Abdominal CT with intravenous contrast, axial plane, 140 kVp, kernel I30f. Slice 352/787 from the bottom of the scan; thickness 1.00 mm; pixel size 0.910 mm.
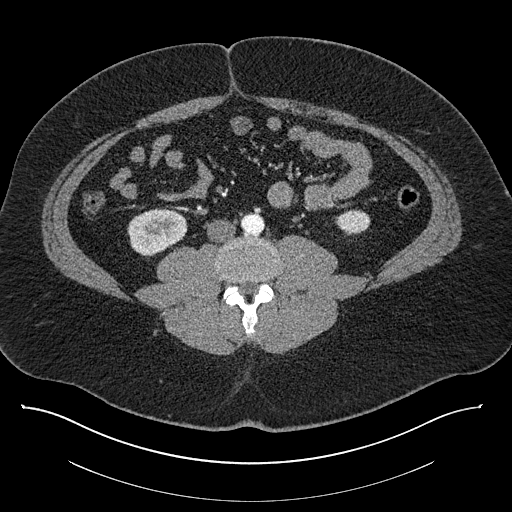
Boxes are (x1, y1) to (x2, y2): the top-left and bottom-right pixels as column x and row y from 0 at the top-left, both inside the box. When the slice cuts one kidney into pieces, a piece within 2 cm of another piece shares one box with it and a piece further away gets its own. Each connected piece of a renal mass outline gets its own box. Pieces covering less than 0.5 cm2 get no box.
Boxed on this slice (two kidney boxes), listed by box centre from the image's left to its right: (1) Box (127, 208) to (187, 254): right kidney (outlined area 2,156 px, about 17.9 cm2). (2) Box (335, 209) to (370, 234): left kidney (outlined area 694 px, about 5.7 cm2). No renal mass is outlined on this slice.